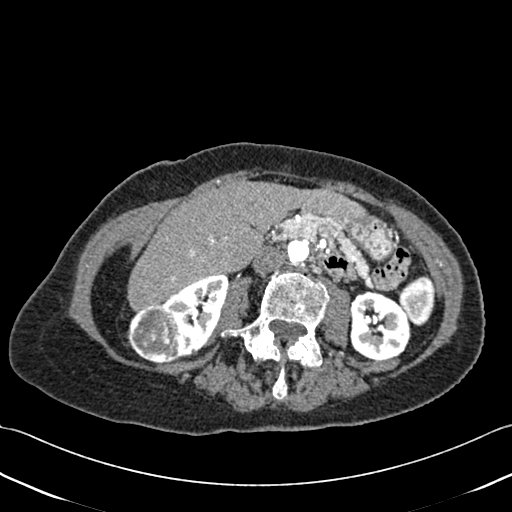
Contrast-enhanced abdominal CT, axial slice 214 of 433 (counted from the lowest slice); tube voltage 120 kVp, convolution kernel B30f; slices 1.00 mm thick, 0.672 mm per pixel.
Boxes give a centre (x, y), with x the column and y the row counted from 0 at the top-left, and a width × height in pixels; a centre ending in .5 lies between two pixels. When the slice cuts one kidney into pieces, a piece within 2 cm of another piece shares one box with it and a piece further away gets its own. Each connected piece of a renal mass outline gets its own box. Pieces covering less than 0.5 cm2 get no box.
Two kidney boxes and one renal mass box on this slice; by box centre, from the image's left to its right: (1) Box centre (154.5, 333.5), 56 × 60 pixels: right renal mass (outlined area 2,610 px, about 11.8 cm2). (2) Box centre (195, 318), 69 × 89 pixels: right kidney (outlined area 3,121 px, about 14.1 cm2). (3) Left kidney, box centre (380, 325), 61 × 69 pixels (outlined area 3,410 px, about 15.4 cm2).